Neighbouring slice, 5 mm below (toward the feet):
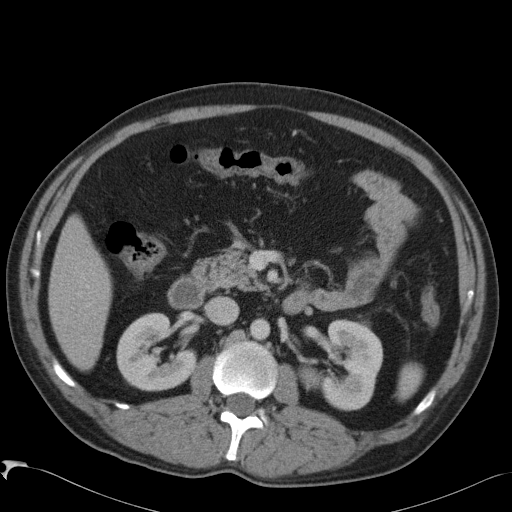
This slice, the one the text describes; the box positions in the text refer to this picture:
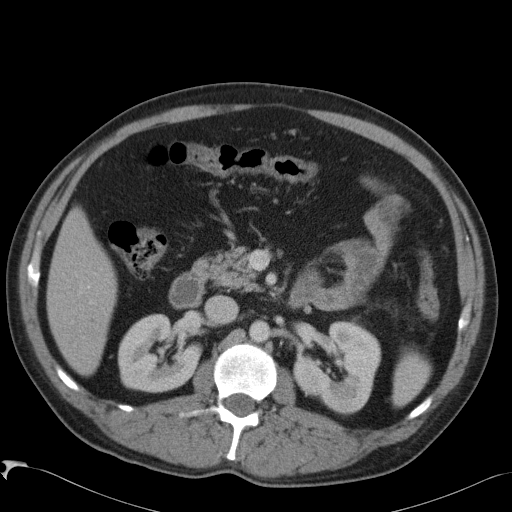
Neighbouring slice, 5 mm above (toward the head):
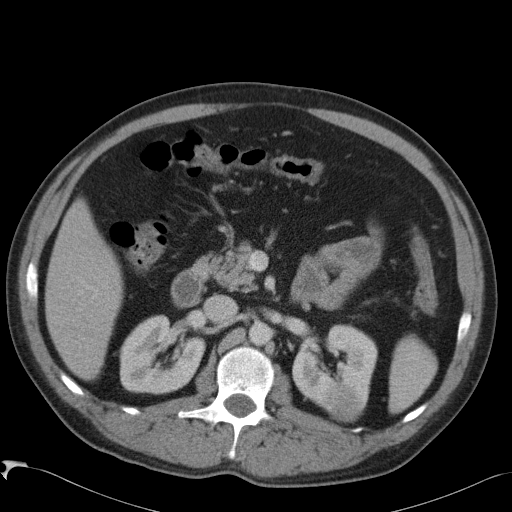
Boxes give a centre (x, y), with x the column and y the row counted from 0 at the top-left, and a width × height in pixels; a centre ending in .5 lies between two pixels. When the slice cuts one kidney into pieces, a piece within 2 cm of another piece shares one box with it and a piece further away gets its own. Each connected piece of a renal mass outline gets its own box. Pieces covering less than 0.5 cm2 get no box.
This is axial slice 58 of 88 (slice 1 is the lowest) of an arterial-phase abdominal CT with contrast; each pixel is 0.723 mm and the slice is 5.00 mm thick. Two kidney boxes and one renal mass box on this slice; by box centre, from the image's left to its right: (1) Right kidney in a box with centre (160, 353), 85 × 79 pixels (outlined area 4,935 px, about 25.8 cm2). (2) Box centre (337, 367.5), 89 × 94 pixels: left kidney (outlined area 5,268 px, about 27.5 cm2). (3) Box centre (343.5, 392.5), 20 × 18 pixels: left renal mass (outlined area 275 px, about 1.4 cm2). This slice is near the end of the left renal mass toward the feet, so the slices 5 mm below and 5 mm above it are shown as well; the boxes refer to this slice only.
Scan settings: 120 kVp, B41f reconstruction kernel.